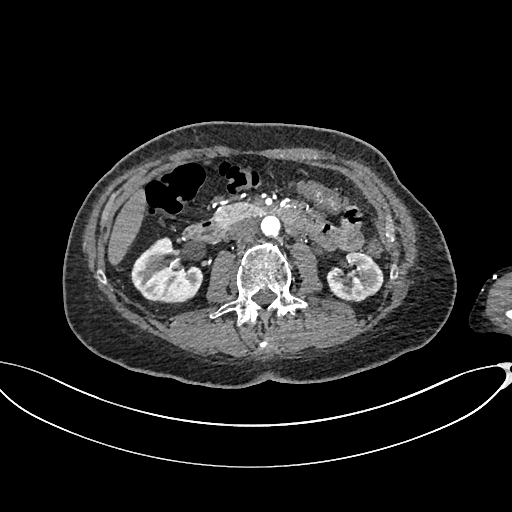
Abdominal CT with intravenous contrast, arterial phase, axial plane, 100 kVp, kernel I26f. Slice 371/665 from the bottom of the scan; thickness 1.00 mm; pixel size 0.828 mm.
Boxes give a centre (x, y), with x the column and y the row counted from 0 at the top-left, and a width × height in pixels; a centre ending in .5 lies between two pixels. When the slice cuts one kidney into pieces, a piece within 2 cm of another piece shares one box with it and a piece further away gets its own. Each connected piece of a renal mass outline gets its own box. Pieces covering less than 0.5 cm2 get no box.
Two kidney boxes on this slice; by box centre, from the image's left to its right: (1) Right kidney in a box with centre (166.5, 270), 74 × 67 pixels (outlined area 3,345 px, about 22.9 cm2). (2) Box centre (354.5, 276), 58 × 51 pixels: left kidney (outlined area 2,119 px, about 14.5 cm2). No renal mass outline on this slice.